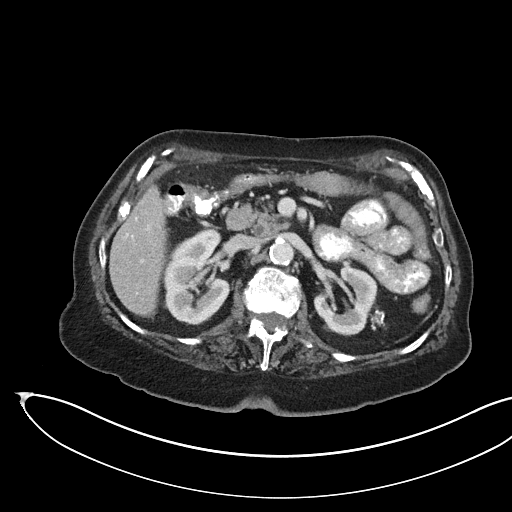
Arterial-phase contrast-enhanced abdominal CT, axial slice 103 of 145 (counted from the lowest slice); tube voltage 100 kVp, convolution kernel I40f; slices 3.00 mm thick, 0.834 mm per pixel.
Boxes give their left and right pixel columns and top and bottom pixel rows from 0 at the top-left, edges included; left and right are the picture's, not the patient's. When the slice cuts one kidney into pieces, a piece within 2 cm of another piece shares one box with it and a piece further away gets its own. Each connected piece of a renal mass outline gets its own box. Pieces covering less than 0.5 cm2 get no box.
Two kidney boxes on this slice; by box centre, from the image's left to its right: (1) Kidney in the box with left 163, top 228, right 231, bottom 324 (outlined area 4,819 px, about 33.5 cm2). (2) Box with left 313, top 260, right 386, bottom 335: kidney (outlined area 3,270 px, about 22.7 cm2). This slice carries no renal mass outline.